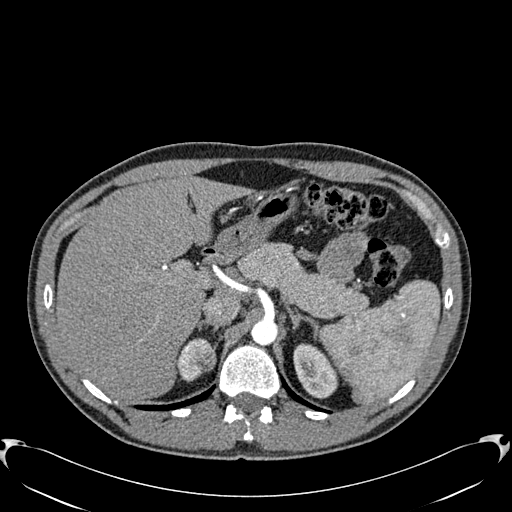
Axial slice 443 of 512 of a contrast-enhanced abdominal CT in the arterial phase (slice 1 is the lowest), 120 kVp, kernel B30f; 1.00 mm slice thickness and 0.771 mm pixels.
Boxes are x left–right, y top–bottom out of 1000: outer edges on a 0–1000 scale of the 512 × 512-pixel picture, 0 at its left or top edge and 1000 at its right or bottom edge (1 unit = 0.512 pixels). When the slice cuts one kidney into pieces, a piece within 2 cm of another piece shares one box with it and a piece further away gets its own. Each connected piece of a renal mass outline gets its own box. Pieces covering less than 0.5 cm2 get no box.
Three boxes on this slice (two kidney boxes and one renal mass box), listed by box centre from the image's left to its right. (1) Right kidney at x 348–414, y 662–746 out of 1000 (outlined area 750 px, about 4.5 cm2). (2) Box x 379–422, y 680–729 out of 1000: right renal mass (outlined area 424 px, about 2.5 cm2). (3) Box x 572–662, y 670–781 out of 1000: left kidney (outlined area 1,805 px, about 10.7 cm2).